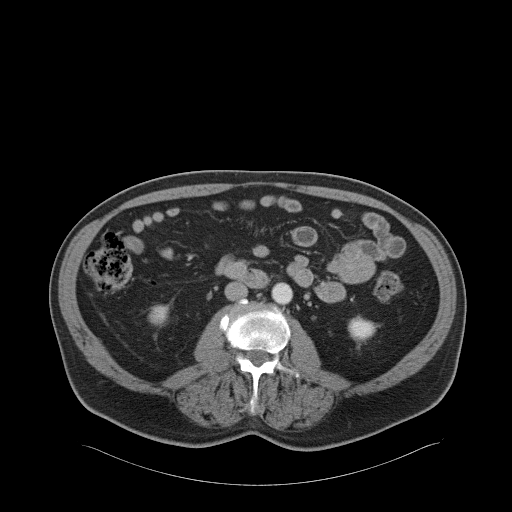
Arterial-phase contrast-enhanced abdominal CT, axial slice 17 of 68 (counted from the lowest slice); tube voltage 120 kVp, convolution kernel B31f; slices 5.00 mm thick, 0.961 mm per pixel.
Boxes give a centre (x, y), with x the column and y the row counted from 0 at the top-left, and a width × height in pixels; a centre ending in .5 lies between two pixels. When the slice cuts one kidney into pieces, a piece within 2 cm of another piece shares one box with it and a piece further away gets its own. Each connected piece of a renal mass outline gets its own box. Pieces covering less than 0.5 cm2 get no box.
Two kidney boxes on this slice; by box centre, from the image's left to its right: (1) Right kidney in a box with centre (158.5, 314.5), 22 × 22 pixels (outlined area 385 px, about 3.6 cm2). (2) Left kidney in a box with centre (361.5, 328.5), 30 × 28 pixels (outlined area 574 px, about 5.3 cm2). No renal mass outline on this slice.